Axial slice 343 of 626 of a contrast-enhanced abdominal CT in the arterial phase (slice 1 is the lowest), 120 kVp, kernel I30f; 1.00 mm slice thickness and 0.703 mm pixels.
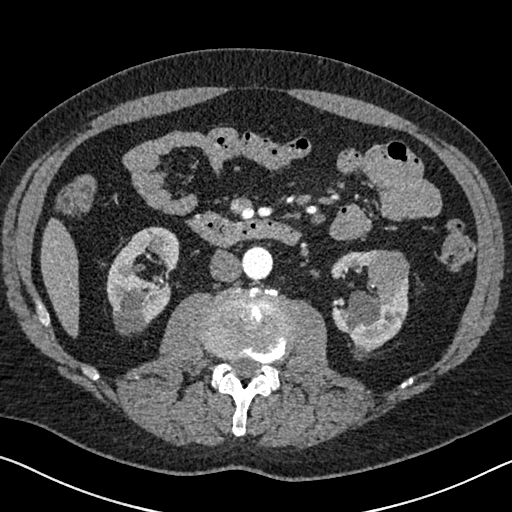
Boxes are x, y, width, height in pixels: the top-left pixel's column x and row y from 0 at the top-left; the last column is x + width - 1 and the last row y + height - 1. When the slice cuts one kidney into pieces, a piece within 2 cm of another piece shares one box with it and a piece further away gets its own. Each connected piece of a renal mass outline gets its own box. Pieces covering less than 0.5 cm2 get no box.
Two kidney boxes and one renal mass box on this slice; by box centre, from the image's left to its right: (1) Right kidney, box x 106, y 226, width 74, height 110 (outlined area 5,253 px, about 26.0 cm2). (2) Left kidney, box x 330, y 251, width 79, height 104 (outlined area 4,272 px, about 21.1 cm2). (3) Box x 363, y 250, width 47, height 47: left renal mass (outlined area 1,638 px, about 8.1 cm2).